One axial slice (410 of 634, counting up from the lowest) of an arterial-phase abdominal CT acquired with 120 kVp, kernel B20f; each pixel is 0.838 mm and the slice is 1.00 mm thick.
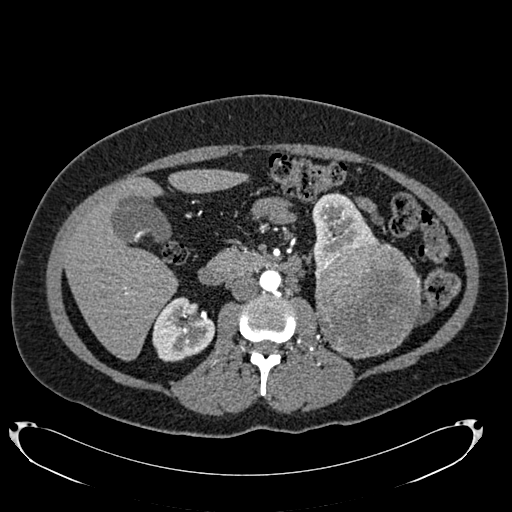
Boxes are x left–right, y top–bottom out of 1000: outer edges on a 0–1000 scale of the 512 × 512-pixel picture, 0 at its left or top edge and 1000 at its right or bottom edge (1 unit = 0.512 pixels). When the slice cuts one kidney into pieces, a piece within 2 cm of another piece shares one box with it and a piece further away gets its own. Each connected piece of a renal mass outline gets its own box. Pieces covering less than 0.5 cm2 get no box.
Three boxes on this slice (two kidney boxes and one renal mass box), listed by box centre from the image's left to its right. (1) Right kidney, box x 297–422, y 580–707 out of 1000 (outlined area 3,019 px, about 21.2 cm2). (2) Box x 609–736, y 375–527 out of 1000: left kidney (outlined area 2,802 px, about 19.7 cm2). (3) Left renal mass, box x 615–822, y 467–703 out of 1000 (outlined area 10,093 px, about 70.9 cm2).